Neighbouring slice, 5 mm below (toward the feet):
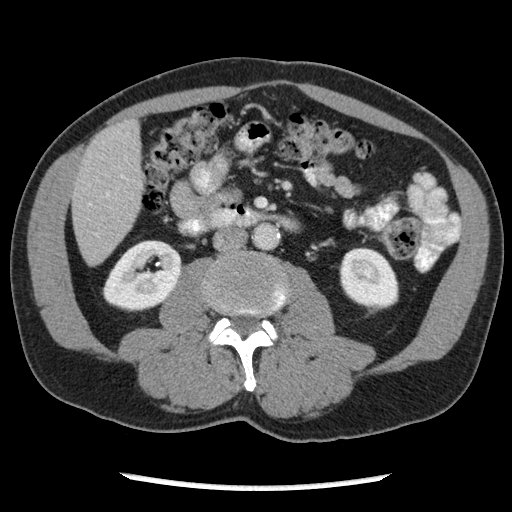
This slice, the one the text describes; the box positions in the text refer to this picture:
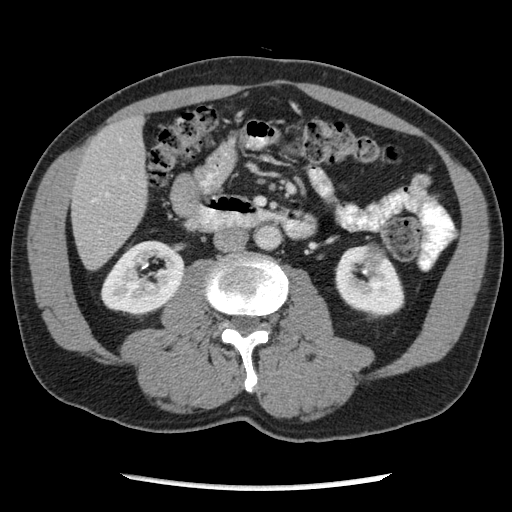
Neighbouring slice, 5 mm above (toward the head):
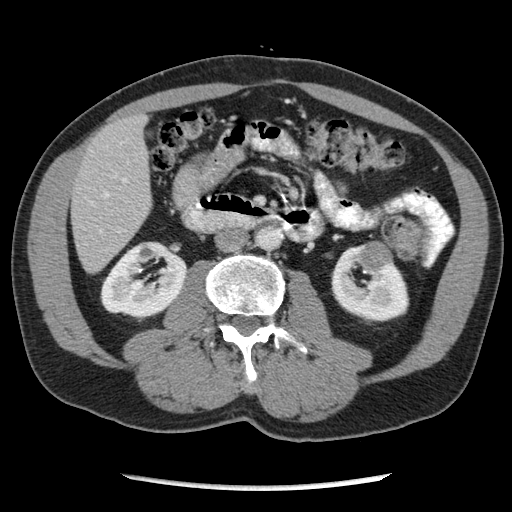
Abdominal CT with intravenous contrast, arterial phase, axial plane, 120 kVp, kernel STANDARD. Slice 109/262 from the bottom of the scan; thickness 2.50 mm; pixel size 0.703 mm.
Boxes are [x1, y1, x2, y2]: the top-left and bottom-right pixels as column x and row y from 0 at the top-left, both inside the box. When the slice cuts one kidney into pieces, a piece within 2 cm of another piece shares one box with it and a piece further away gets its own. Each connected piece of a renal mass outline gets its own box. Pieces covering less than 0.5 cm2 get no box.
Three boxes on this slice (two kidney boxes and one renal mass box), listed by box centre from the image's left to its right. (1) Right kidney at [100, 240, 184, 315] (outlined area 4,596 px, about 22.7 cm2). (2) Box [334, 243, 404, 317]: left kidney (outlined area 3,697 px, about 18.3 cm2). (3) Left renal mass, box [368, 242, 383, 260] (outlined area 205 px, about 1.0 cm2). This slice lies near the end of the left renal mass toward the feet; the slices 5 mm below and 5 mm above it are shown too, and the boxes mark positions on this slice only.